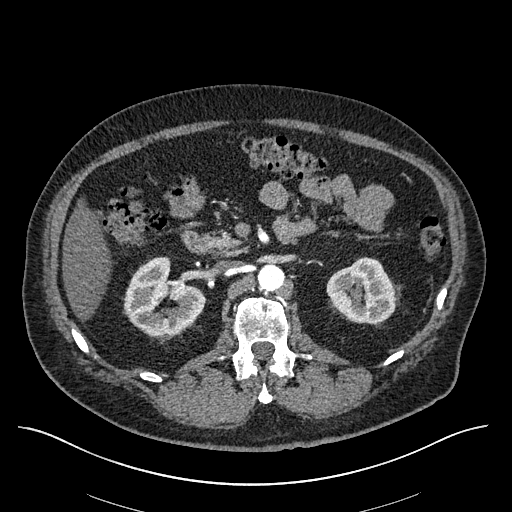
Arterial-phase contrast-enhanced abdominal CT, axial slice 360 of 670 (counted from the lowest slice); tube voltage 120 kVp, convolution kernel I30f; slices 1.00 mm thick, 0.861 mm per pixel.
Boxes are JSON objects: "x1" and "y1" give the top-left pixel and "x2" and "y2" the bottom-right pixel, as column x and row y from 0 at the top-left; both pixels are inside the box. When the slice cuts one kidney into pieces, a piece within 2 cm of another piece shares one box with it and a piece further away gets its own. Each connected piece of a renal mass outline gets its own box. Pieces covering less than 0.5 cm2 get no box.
Boxed on this slice (two kidney boxes), listed by box centre from the image's left to its right: (1) Right kidney, box {"x1": 123, "y1": 256, "x2": 205, "y2": 336} (outlined area 4,468 px, about 33.1 cm2). (2) Left kidney, box {"x1": 326, "y1": 257, "x2": 401, "y2": 323} (outlined area 3,582 px, about 26.6 cm2). This slice carries no renal mass outline.